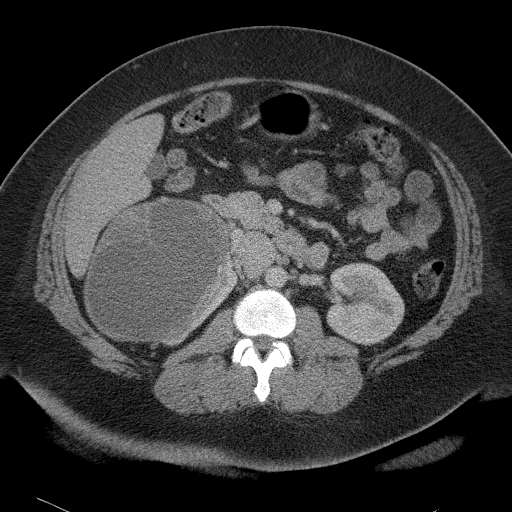
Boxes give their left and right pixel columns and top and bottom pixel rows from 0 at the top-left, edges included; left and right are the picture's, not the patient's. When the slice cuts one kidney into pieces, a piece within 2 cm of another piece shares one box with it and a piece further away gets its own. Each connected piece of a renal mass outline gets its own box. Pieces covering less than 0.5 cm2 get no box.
Contrast-enhanced abdominal CT, axial slice 60 of 90 (counted from the lowest slice); 5.00 mm thick, 0.781 mm per pixel. Boxed on this slice (two kidney boxes and one renal mass box), listed by box centre from the image's left to its right: (1) Right renal mass in the box with left 83, top 197, right 230, bottom 342 (outlined area 15,920 px, about 97.2 cm2). (2) Box with left 159, top 256, right 238, bottom 346: right kidney (outlined area 1,625 px, about 9.9 cm2). (3) Box with left 326, top 262, right 404, bottom 345: left kidney (outlined area 5,080 px, about 31.0 cm2).
Acquired at 120 kVp and reconstructed with the B41f kernel.